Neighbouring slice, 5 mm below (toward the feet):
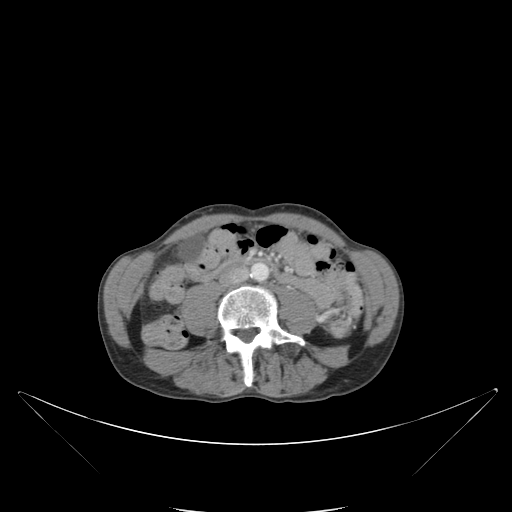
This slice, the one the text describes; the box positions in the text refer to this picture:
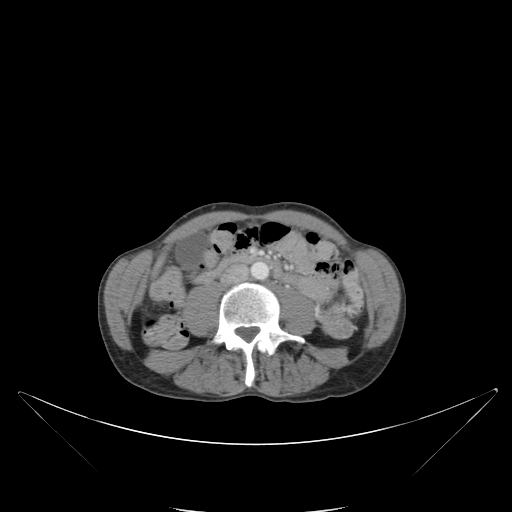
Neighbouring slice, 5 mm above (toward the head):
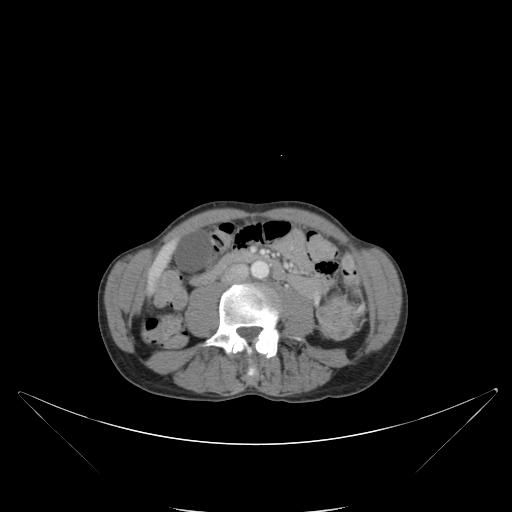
Axial slice 48 of 88 of a contrast-enhanced abdominal CT (slice 1 is the lowest), 120 kVp, kernel B; 5.00 mm slice thickness and 0.865 mm pixels.
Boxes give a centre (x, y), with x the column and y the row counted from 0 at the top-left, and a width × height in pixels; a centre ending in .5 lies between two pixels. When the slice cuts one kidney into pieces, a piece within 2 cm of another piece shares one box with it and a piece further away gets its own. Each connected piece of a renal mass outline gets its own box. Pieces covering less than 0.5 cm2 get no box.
Left renal mass, box centre (338.5, 320.5), 38 × 38 pixels (outlined area 942 px, about 7.1 cm2); this slice has no kidney outline, though on another slice the same outlined renal mass lies within 1 cm of the kidney. This slice is near the end of the left renal mass toward the feet, so the slices 5 mm below and 5 mm above it are shown as well; the boxes refer to this slice only.